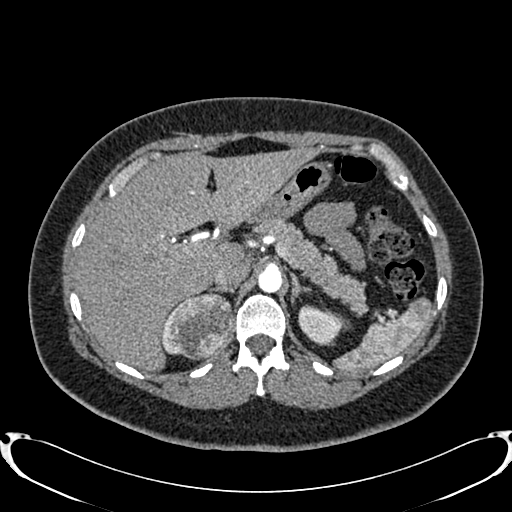
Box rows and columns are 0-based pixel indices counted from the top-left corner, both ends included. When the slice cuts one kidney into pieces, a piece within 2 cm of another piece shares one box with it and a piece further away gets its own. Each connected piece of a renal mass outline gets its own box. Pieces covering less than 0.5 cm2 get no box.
Slice 585/719 of a contrast-enhanced abdominal CT in the arterial phase, counting up from the lowest; pixel size 0.766 mm, slice thickness 1.00 mm. Boxed on this slice (two kidney boxes and one renal mass box), listed by box centre from the image's left to its right: (1) Right kidney at rows 305–354, columns 161–176 (outlined area 316 px, about 1.9 cm2). (2) Box rows 292–360, columns 168–234: right renal mass (outlined area 3,516 px, about 20.6 cm2). (3) Left kidney at rows 304–344, columns 298–345 (outlined area 1,359 px, about 8.0 cm2).
Tube voltage 120 kVp; convolution kernel B20f.